Abdominal CT with intravenous contrast, arterial phase, axial plane, 120 kVp, kernel I26f. Slice 774/987 from the bottom of the scan; thickness 1.00 mm; pixel size 0.977 mm.
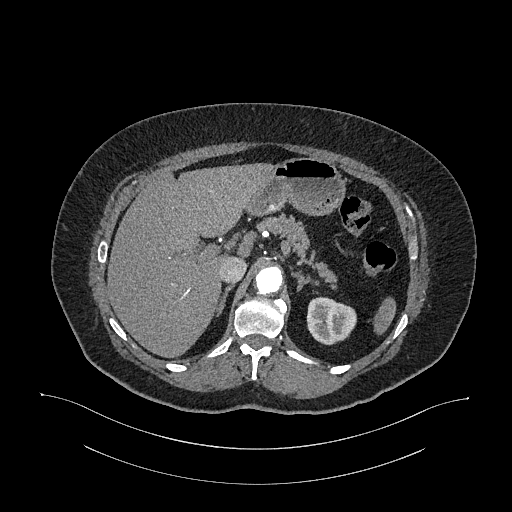
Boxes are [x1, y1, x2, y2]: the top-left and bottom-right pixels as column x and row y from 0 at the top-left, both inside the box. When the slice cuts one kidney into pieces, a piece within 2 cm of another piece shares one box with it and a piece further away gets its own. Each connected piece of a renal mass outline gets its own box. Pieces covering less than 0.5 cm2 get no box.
Left kidney at [306, 296, 356, 345] (outlined area 1,884 px, about 18.0 cm2). This slice carries no renal mass outline.